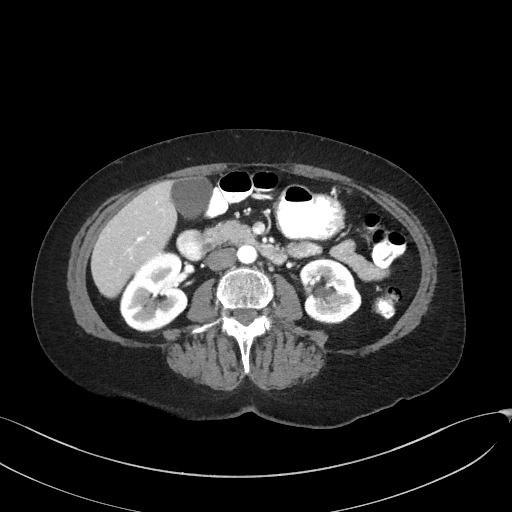
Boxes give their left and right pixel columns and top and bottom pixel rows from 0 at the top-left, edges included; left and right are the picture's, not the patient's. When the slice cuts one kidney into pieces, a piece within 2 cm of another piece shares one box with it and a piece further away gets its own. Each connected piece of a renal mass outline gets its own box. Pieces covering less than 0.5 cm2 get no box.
This is axial slice 83 of 129 (slice 1 is the lowest) of an arterial-phase abdominal CT with contrast; each pixel is 0.779 mm and the slice is 3.00 mm thick. Boxed on this slice (two kidney boxes), listed by box centre from the image's left to its right: (1) Right kidney, the box with left 120, top 253, right 188, bottom 332 (outlined area 3,969 px, about 24.1 cm2). (2) Left kidney, the box with left 298, top 258, right 361, bottom 324 (outlined area 3,191 px, about 19.4 cm2). This slice carries no renal mass outline.
Acquired at 100 kVp and reconstructed with the I41f kernel.